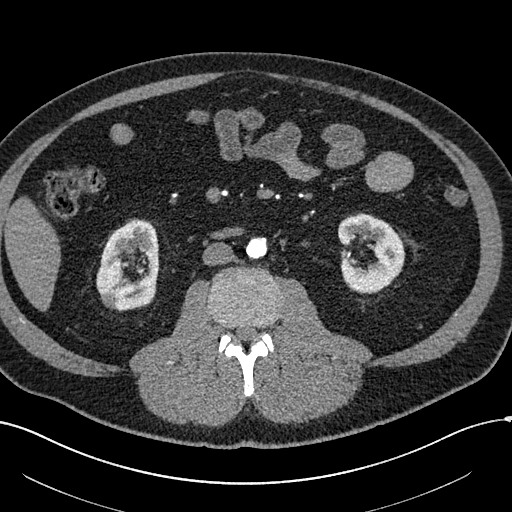
One axial slice (267 of 602, counting up from the lowest) of an arterial-phase abdominal CT acquired with 120 kVp, kernel I30f; each pixel is 0.799 mm and the slice is 1.00 mm thick.
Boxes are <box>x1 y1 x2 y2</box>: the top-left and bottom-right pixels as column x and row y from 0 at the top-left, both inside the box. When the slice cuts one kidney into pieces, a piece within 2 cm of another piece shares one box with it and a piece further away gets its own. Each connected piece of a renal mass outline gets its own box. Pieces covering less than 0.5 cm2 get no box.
Two kidney boxes and one renal mass box on this slice; by box centre, from the image's left to its right: (1) Right renal mass: <box>101 292 118 309</box> (outlined area 234 px, about 1.5 cm2). (2) At <box>96 219 158 310</box>: right kidney (outlined area 4,217 px, about 26.9 cm2). (3) Left kidney: <box>337 213 404 293</box> (outlined area 3,849 px, about 24.6 cm2).